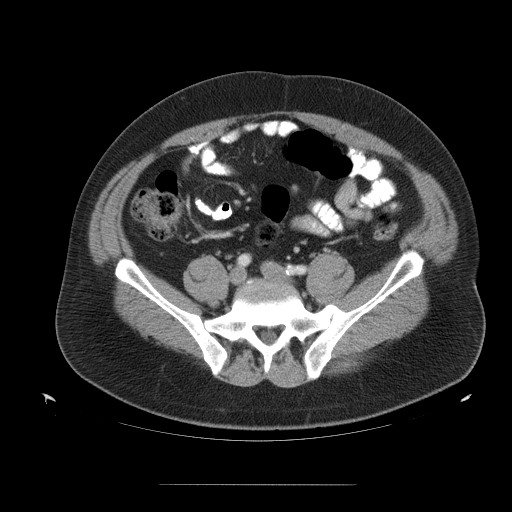
Contrast-enhanced abdominal CT, axial slice 43 of 99 (counted from the lowest slice); 5.00 mm thick, 0.938 mm per pixel. Outside the outlined region: no kidney outline and no renal mass outline on this slice. The scan's outlines cover only kidneys and renal masses; no other organ is outlined.
Acquired at 120 kVp and reconstructed with the STANDARD kernel.